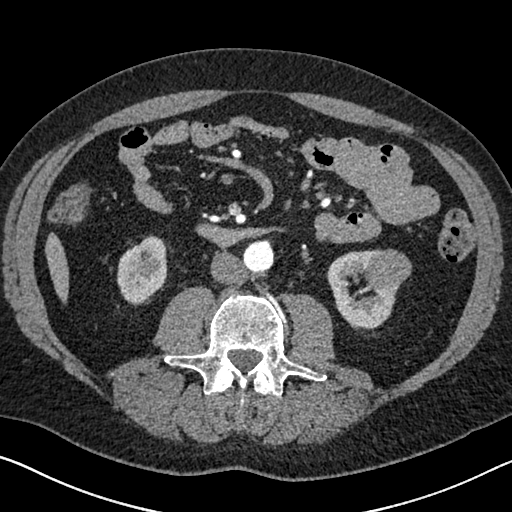
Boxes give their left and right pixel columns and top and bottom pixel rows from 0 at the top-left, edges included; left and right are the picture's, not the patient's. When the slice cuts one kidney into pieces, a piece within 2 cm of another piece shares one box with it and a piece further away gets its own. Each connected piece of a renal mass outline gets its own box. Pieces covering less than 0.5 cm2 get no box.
Arterial-phase contrast-enhanced abdominal CT, axial slice 316 of 626 (counted from the lowest slice); 1.00 mm thick, 0.703 mm per pixel. Three boxes on this slice (two kidney boxes and one renal mass box), listed by box centre from the image's left to its right. (1) Right kidney, the box with left 117, top 235, right 167, bottom 304 (outlined area 2,630 px, about 13.0 cm2). (2) Box with left 326, top 249, right 398, bottom 329: left kidney (outlined area 3,279 px, about 16.2 cm2). (3) Left renal mass, the box with left 365, top 249, right 411, bottom 289 (outlined area 1,482 px, about 7.3 cm2).
Tube voltage 120 kVp; convolution kernel I30f.